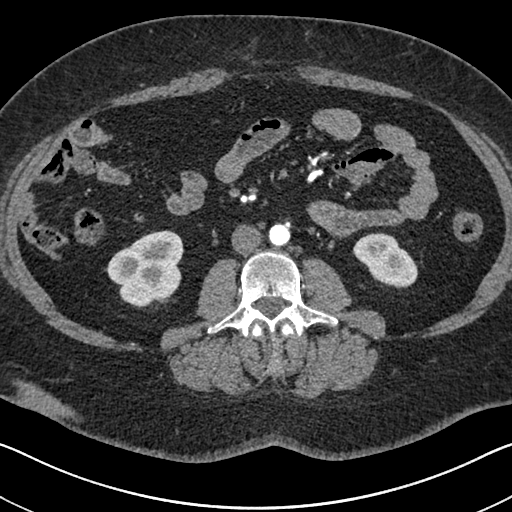
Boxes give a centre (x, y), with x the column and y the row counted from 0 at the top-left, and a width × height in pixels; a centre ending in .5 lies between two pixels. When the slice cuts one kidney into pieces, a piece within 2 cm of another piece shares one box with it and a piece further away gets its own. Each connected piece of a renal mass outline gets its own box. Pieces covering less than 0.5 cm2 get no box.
This is axial slice 312 of 591 (slice 1 is the lowest) of an arterial-phase abdominal CT with contrast; each pixel is 0.703 mm and the slice is 1.00 mm thick. Two kidney boxes on this slice; by box centre, from the image's left to its right: (1) Right kidney, box centre (145, 268.5), 77 × 78 pixels (outlined area 4,284 px, about 21.2 cm2). (2) Left kidney in a box with centre (385, 260), 65 × 57 pixels (outlined area 2,417 px, about 11.9 cm2). No renal mass outline on this slice.
Acquired at 140 kVp and reconstructed with the I30f kernel.